Axial slice 105 of 157 of a contrast-enhanced abdominal CT in the arterial phase (slice 1 is the lowest), 120 kVp, kernel B30f; 3.00 mm slice thickness and 0.742 mm pixels.
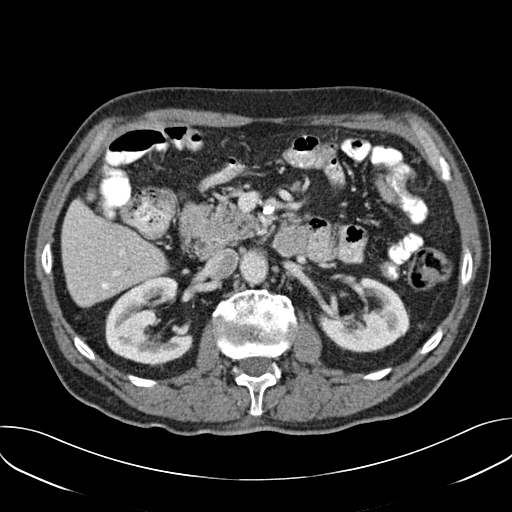
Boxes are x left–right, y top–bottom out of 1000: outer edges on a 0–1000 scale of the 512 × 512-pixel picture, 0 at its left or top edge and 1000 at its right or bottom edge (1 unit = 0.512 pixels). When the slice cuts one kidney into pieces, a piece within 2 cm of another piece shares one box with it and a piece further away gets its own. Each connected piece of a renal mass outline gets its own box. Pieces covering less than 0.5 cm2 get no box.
Two boxes on this slice (two kidney boxes), listed by box centre from the image's left to its right. (1) Box x 205–379, y 537–717 out of 1000: right kidney (outlined area 5,161 px, about 28.4 cm2). (2) Left kidney, box x 621–801, y 539–689 out of 1000 (outlined area 4,323 px, about 23.8 cm2). No renal mass outline on this slice.